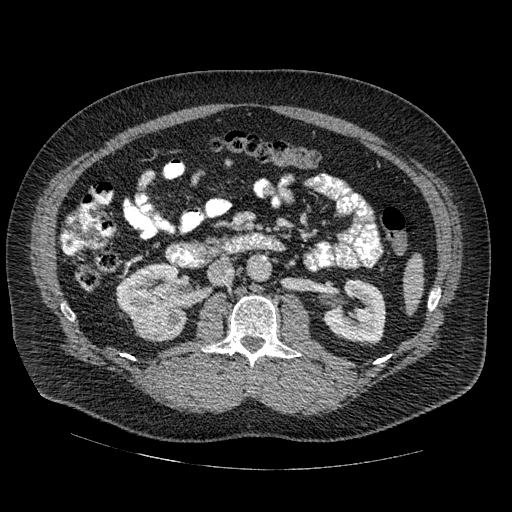
Arterial-phase contrast-enhanced abdominal CT, axial slice 268 of 445 (counted from the lowest slice); tube voltage 120 kVp, convolution kernel STANDARD; slices 1.25 mm thick, 0.863 mm per pixel.
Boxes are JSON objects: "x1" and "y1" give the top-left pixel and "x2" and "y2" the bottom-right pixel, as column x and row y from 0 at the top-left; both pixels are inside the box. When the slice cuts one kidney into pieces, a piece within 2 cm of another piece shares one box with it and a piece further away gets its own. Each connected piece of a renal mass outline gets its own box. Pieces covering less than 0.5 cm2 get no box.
Boxed on this slice (two kidney boxes and one renal mass box), listed by box centre from the image's left to its right: (1) Right renal mass, box {"x1": 130, "y1": 304, "x2": 171, "y2": 342} (outlined area 1,218 px, about 9.1 cm2). (2) Right kidney, box {"x1": 116, "y1": 264, "x2": 188, "y2": 341} (outlined area 2,981 px, about 22.2 cm2). (3) Left kidney at {"x1": 324, "y1": 280, "x2": 386, "y2": 342} (outlined area 2,878 px, about 21.4 cm2).